One axial slice (568 of 987, counting up from the lowest) of an arterial-phase abdominal CT acquired with 120 kVp, kernel I26f; each pixel is 0.977 mm and the slice is 1.00 mm thick.
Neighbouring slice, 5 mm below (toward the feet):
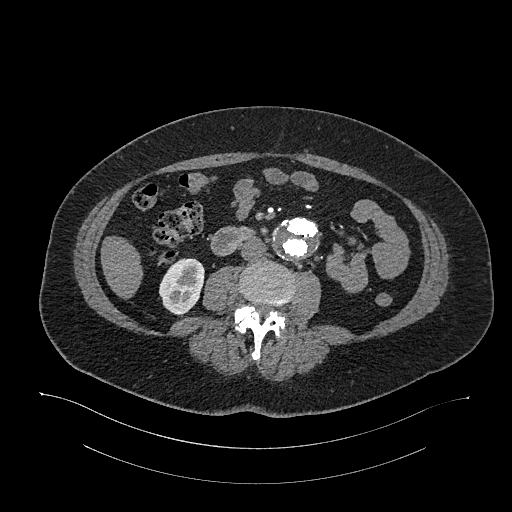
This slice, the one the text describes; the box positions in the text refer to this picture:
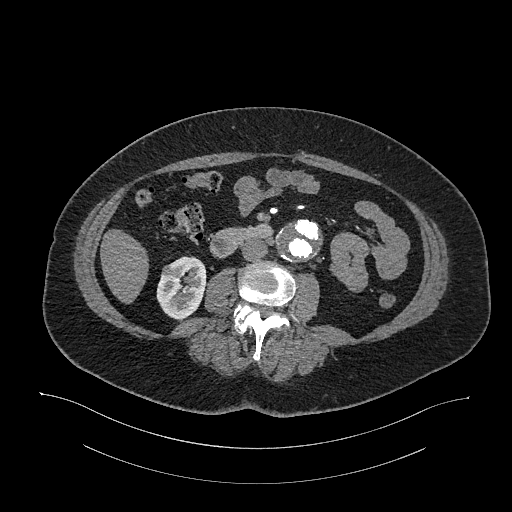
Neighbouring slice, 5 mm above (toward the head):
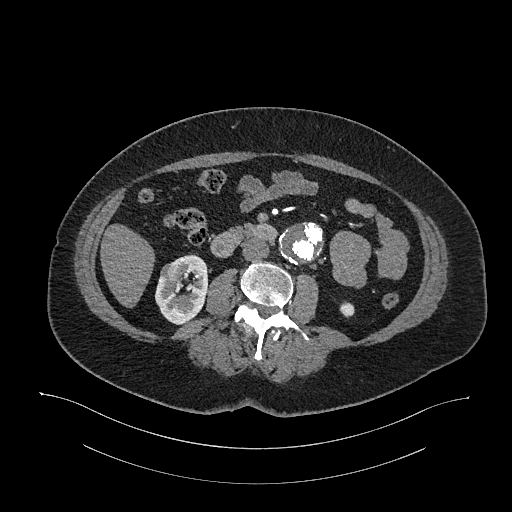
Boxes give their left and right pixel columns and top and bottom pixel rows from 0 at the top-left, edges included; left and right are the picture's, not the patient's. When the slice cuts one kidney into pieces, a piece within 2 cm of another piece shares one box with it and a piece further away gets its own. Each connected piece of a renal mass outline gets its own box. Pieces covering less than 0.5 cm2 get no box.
Two boxes on this slice (one kidney box and one renal mass box), listed by box centre from the image's left to its right. (1) Right renal mass, the box with left 161, top 264, right 179, bottom 277 (outlined area 157 px, about 1.5 cm2). (2) Right kidney in the box with left 156, top 256, right 206, bottom 320 (outlined area 2,305 px, about 22.0 cm2). This slice lies near the end of the right renal mass toward the feet; the slices 5 mm below and 5 mm above it are shown too, and the boxes mark positions on this slice only.